One axial slice (185 of 527, counting up from the lowest) of an arterial-phase abdominal CT acquired with 120 kVp, kernel I30f; each pixel is 0.859 mm and the slice is 1.00 mm thick.
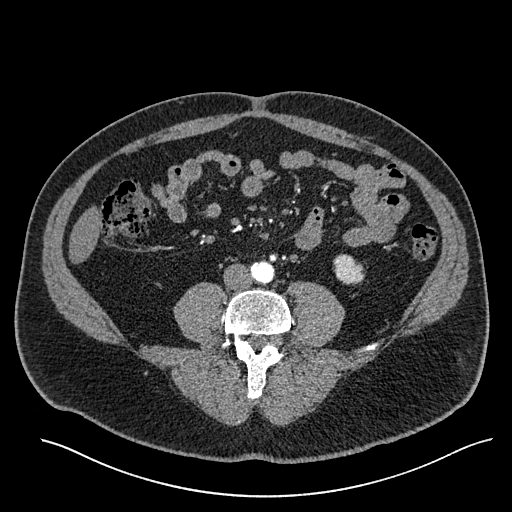
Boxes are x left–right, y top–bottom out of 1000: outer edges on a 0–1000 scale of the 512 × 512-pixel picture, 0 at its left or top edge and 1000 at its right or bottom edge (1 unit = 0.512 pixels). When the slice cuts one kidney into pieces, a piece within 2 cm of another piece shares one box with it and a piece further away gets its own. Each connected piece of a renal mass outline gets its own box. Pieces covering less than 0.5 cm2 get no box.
Left kidney, box x 650–713, y 496–557 out of 1000 (outlined area 756 px, about 5.6 cm2). No renal mass outline on this slice.